Abdominal CT with intravenous contrast, arterial phase, axial plane, 120 kVp, kernel I30f. Slice 463/612 from the bottom of the scan; thickness 1.00 mm; pixel size 0.703 mm.
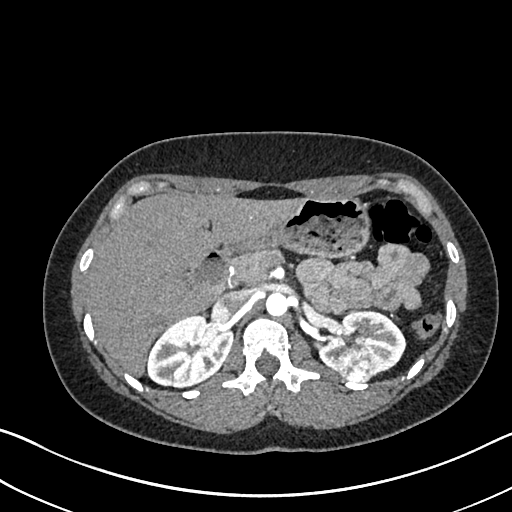
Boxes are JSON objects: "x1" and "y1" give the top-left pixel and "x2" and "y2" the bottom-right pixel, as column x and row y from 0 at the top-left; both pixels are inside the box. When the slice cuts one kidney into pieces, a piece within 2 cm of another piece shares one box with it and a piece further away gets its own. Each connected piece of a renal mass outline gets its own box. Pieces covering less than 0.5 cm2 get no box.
Boxed on this slice (two kidney boxes and one renal mass box), listed by box centre from the image's left to its right: (1) Box {"x1": 147, "y1": 314, "x2": 233, "y2": 388}: right kidney (outlined area 4,555 px, about 22.5 cm2). (2) Box {"x1": 337, "y1": 347, "x2": 375, "y2": 381}: left renal mass (outlined area 1,134 px, about 5.6 cm2). (3) Left kidney at {"x1": 318, "y1": 309, "x2": 406, "y2": 376} (outlined area 3,438 px, about 17.0 cm2).